Abdominal CT with intravenous contrast, axial plane, 100 kVp, kernel I41f. Slice 77/143 from the bottom of the scan; thickness 5.00 mm; pixel size 0.734 mm.
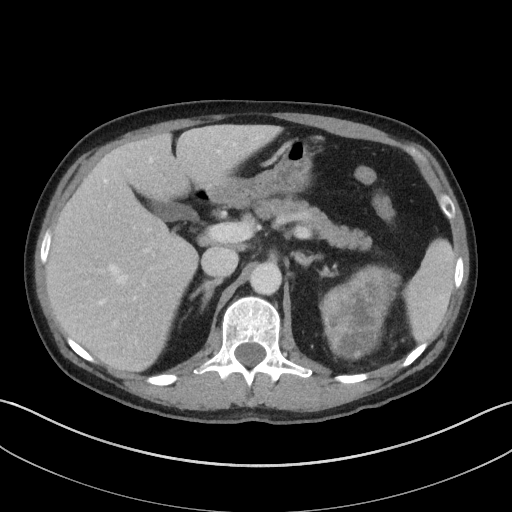
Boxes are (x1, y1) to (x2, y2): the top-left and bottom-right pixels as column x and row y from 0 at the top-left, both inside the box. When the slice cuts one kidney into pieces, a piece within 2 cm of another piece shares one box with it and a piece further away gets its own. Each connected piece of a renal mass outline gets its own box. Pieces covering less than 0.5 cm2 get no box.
Left renal mass, box (319, 264) to (401, 360) (outlined area 5,305 px, about 28.6 cm2); no kidney is outlined on this slice, but the same outlined renal mass comes within 1 cm of the kidney on another slice.